Abdominal CT with intravenous contrast, arterial phase, axial plane, 120 kVp, kernel B30f. Slice 92/274 from the bottom of the scan; thickness 2.00 mm; pixel size 0.809 mm.
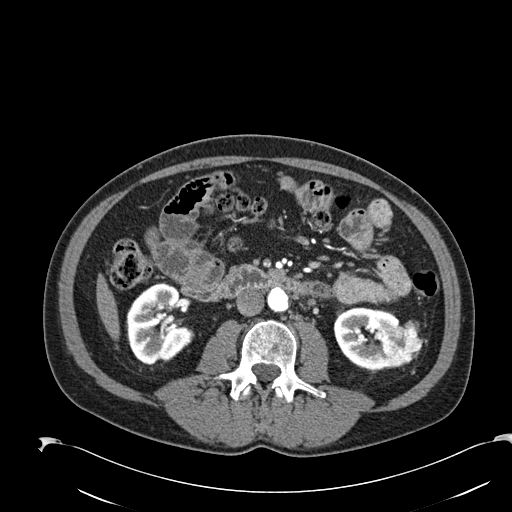
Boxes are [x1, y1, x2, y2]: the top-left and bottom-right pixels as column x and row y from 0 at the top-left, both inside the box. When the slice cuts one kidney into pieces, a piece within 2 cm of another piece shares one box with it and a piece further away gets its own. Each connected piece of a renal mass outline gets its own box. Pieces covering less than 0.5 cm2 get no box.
Two kidney boxes and one renal mass box on this slice; by box centre, from the image's left to its right: (1) Right kidney at [126, 284, 191, 365] (outlined area 3,930 px, about 25.7 cm2). (2) Box [333, 308, 399, 369]: left kidney (outlined area 2,832 px, about 18.5 cm2). (3) Left renal mass, box [382, 320, 424, 368] (outlined area 1,430 px, about 9.3 cm2).